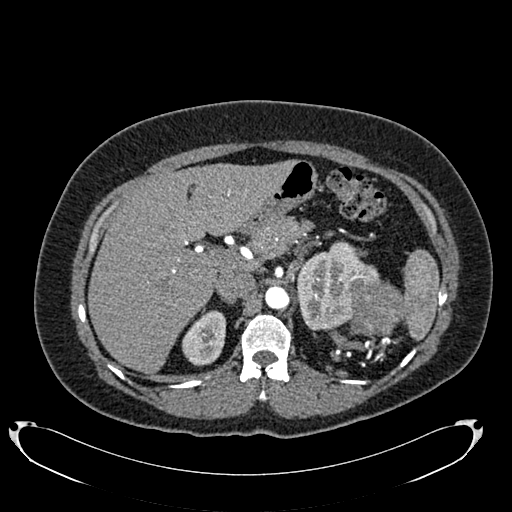
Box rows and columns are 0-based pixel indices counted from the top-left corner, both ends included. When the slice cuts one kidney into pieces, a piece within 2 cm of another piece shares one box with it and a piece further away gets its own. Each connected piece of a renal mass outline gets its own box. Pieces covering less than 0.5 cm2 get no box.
Arterial-phase contrast-enhanced abdominal CT, axial slice 516 of 634 (counted from the lowest slice); 1.00 mm thick, 0.838 mm per pixel. Boxed on this slice (two kidney boxes and one renal mass box), listed by box centre from the image's left to its right: (1) Box rows 310–366, columns 182–226: right kidney (outlined area 1,844 px, about 12.9 cm2). (2) Box rows 240–330, columns 297–379: left kidney (outlined area 4,554 px, about 32.0 cm2). (3) Left renal mass at rows 279–336, columns 348–404 (outlined area 2,561 px, about 18.0 cm2).
Scan settings: 120 kVp, B20f reconstruction kernel.